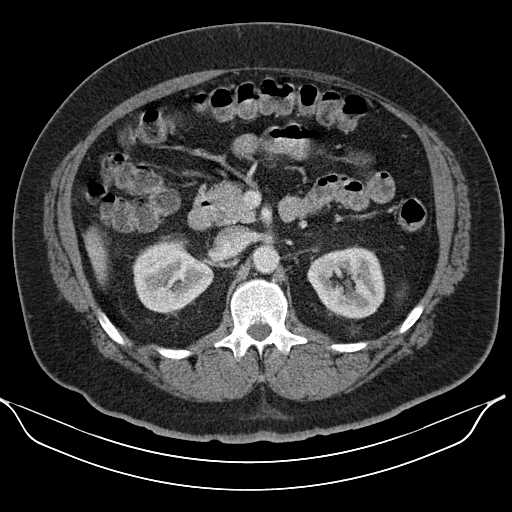
Arterial-phase contrast-enhanced abdominal CT, axial slice 73 of 110 (counted from the lowest slice); tube voltage 130 kVp, convolution kernel B30s; slices 5.00 mm thick, 0.836 mm per pixel.
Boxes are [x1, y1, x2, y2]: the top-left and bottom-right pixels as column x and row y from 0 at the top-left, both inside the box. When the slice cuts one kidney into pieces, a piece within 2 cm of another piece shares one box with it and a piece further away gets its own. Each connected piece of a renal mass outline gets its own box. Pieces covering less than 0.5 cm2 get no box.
Two boxes on this slice (two kidney boxes), listed by box centre from the image's left to its right. (1) Right kidney at [133, 236, 213, 312] (outlined area 4,305 px, about 30.1 cm2). (2) Left kidney, box [307, 245, 385, 319] (outlined area 4,326 px, about 30.2 cm2). This slice carries no renal mass outline.